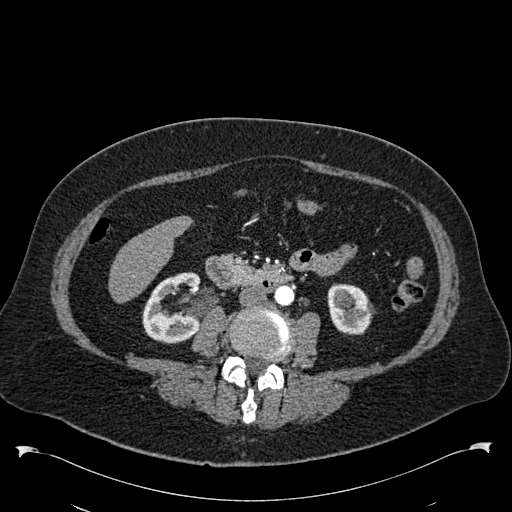
Abdominal CT with intravenous contrast, arterial phase, axial plane, 120 kVp, kernel B30f. Slice 257/538 from the bottom of the scan; thickness 1.00 mm; pixel size 0.811 mm.
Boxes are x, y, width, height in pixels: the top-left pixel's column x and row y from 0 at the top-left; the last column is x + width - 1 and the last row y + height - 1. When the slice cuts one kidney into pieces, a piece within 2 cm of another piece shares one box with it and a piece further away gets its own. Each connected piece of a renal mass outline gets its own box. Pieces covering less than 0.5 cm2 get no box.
Two boxes on this slice (two kidney boxes), listed by box centre from the image's left to its right. (1) Right kidney, box x 142, y 272, width 59, height 72 (outlined area 3,031 px, about 19.9 cm2). (2) Left kidney, box x 327, y 283, width 49, height 52 (outlined area 1,895 px, about 12.4 cm2). No renal mass is outlined on this slice.